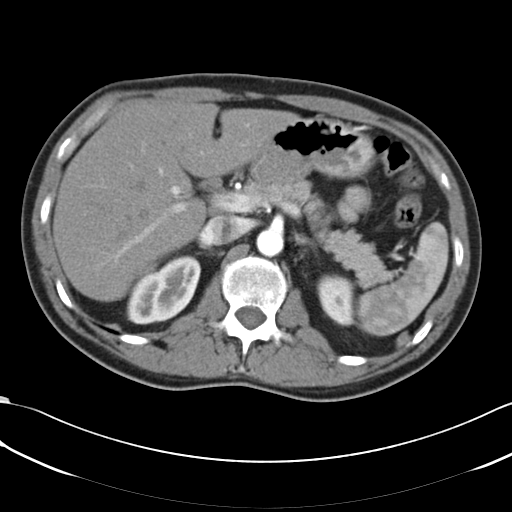
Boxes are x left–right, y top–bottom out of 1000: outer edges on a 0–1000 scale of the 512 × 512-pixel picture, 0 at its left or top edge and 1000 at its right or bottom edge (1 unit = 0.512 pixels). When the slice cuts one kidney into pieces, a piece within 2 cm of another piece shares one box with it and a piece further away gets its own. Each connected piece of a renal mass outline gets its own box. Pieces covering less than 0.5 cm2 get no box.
This is axial slice 44 of 66 (slice 1 is the lowest) of an arterial-phase abdominal CT with contrast; each pixel is 0.678 mm and the slice is 5.00 mm thick. Two kidney boxes on this slice; by box centre, from the image's left to its right: (1) Right kidney at x 246–393, y 498–635 out of 1000 (outlined area 3,455 px, about 15.9 cm2). (2) Left kidney, box x 617–691, y 535–639 out of 1000 (outlined area 1,536 px, about 7.1 cm2). No renal mass outline on this slice.
Tube voltage 120 kVp; convolution kernel B30f.